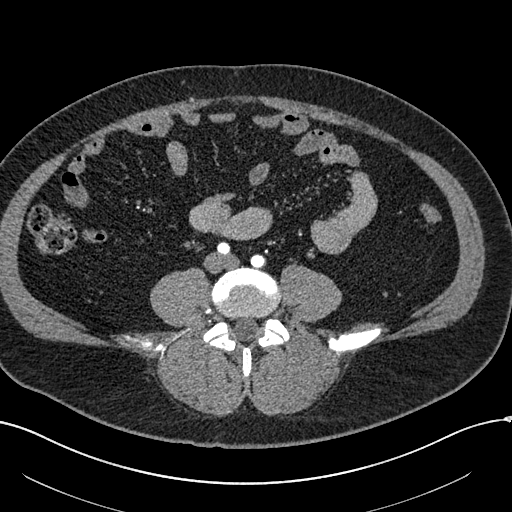
Arterial-phase contrast-enhanced abdominal CT, axial slice 121 of 602 (counted from the lowest slice); 1.00 mm thick, 0.799 mm per pixel. This slice carries no outline: it lies beyond the outlined kidneys and beyond every outlined renal mass. Other organs are not outlined in this scan.
Tube voltage 120 kVp; convolution kernel I30f.